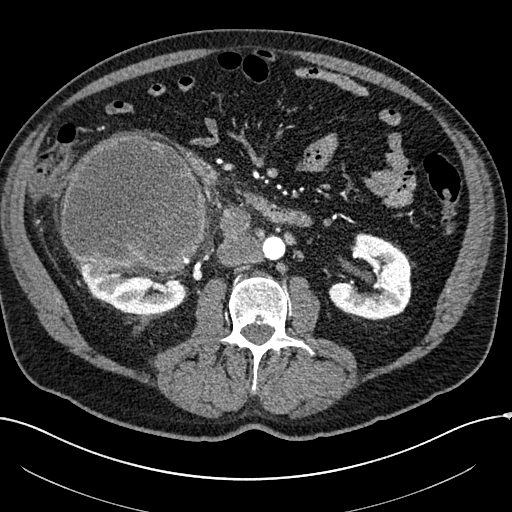
Axial slice 97 of 304 of a contrast-enhanced abdominal CT in the arterial phase (slice 1 is the lowest), 100 kVp, kernel I30f; 2.00 mm slice thickness and 0.809 mm pixels.
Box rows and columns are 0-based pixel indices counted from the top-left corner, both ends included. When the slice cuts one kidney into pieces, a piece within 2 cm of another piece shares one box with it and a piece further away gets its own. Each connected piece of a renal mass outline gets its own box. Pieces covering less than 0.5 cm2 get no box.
Boxed on this slice (two kidney boxes and one renal mass box), listed by box centre from the image's left to its right: (1) Right kidney, box rows 261–313, columns 76–186 (outlined area 3,766 px, about 24.6 cm2). (2) Right renal mass at rows 134–272, columns 59–207 (outlined area 16,323 px, about 106.7 cm2). (3) Left kidney, box rows 232–320, columns 328–413 (outlined area 4,878 px, about 31.9 cm2).